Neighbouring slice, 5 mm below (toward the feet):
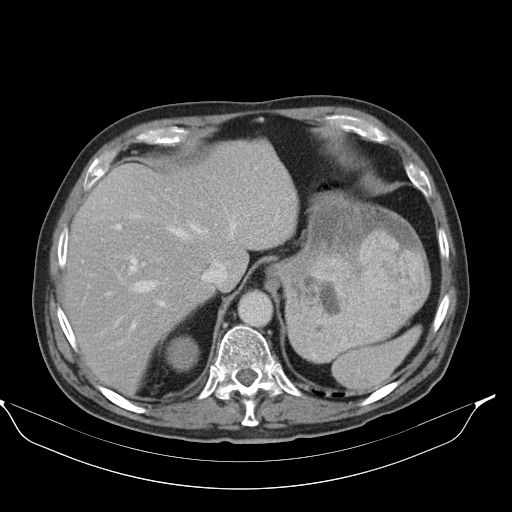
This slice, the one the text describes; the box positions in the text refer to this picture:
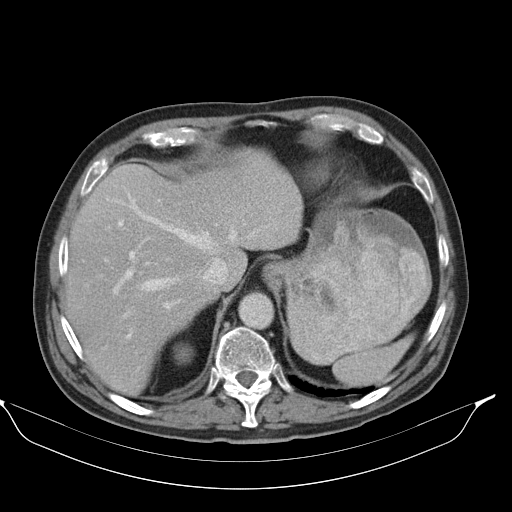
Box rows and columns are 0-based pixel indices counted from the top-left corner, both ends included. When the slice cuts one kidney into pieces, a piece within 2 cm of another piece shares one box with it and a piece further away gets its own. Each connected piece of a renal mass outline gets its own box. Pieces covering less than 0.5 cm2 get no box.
Contrast-enhanced abdominal CT, axial slice 79 of 98 (counted from the lowest slice); 5.00 mm thick, 0.840 mm per pixel. Right renal mass, box rows 343–364, columns 174–193 (outlined area 328 px, about 2.3 cm2); this slice has no kidney outline, though on another slice the same outlined renal mass lies within 1 cm of the kidney. This slice is near the end of the right renal mass toward the head, so the slice 5 mm below it is shown as well; the boxes refer to this slice only.
Tube voltage 130 kVp; convolution kernel B30s.